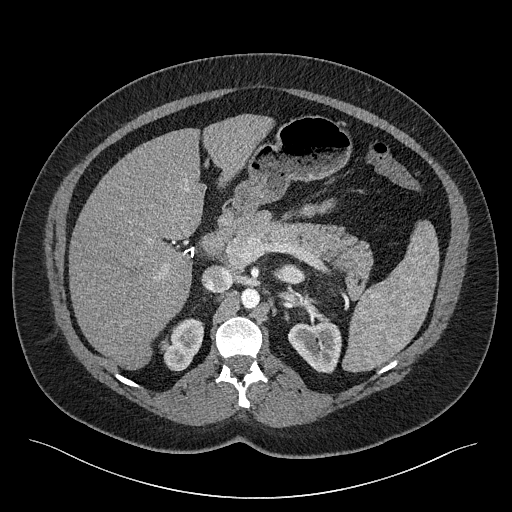
Axial slice 165 of 301 of a contrast-enhanced abdominal CT (slice 1 is the lowest), 120 kVp, kernel I40f; 2.00 mm slice thickness and 0.859 mm pixels.
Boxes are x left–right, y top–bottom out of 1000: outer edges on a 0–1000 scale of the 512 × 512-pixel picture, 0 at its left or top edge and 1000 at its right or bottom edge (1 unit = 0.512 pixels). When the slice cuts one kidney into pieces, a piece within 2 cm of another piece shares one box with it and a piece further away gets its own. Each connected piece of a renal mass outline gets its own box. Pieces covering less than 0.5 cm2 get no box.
Three kidney boxes on this slice; by box centre, from the image's left to its right: (1) Right kidney, box x 318–398, y 621–727 out of 1000 (outlined area 1,514 px, about 11.2 cm2). (2) Left kidney (one of two boxed parts) at x 539–598, y 514–557 out of 1000 (outlined area 479 px, about 3.5 cm2). (3) Left kidney (one of two boxed parts) at x 563–668, y 629–730 out of 1000 (outlined area 2,060 px, about 15.2 cm2). No renal mass outline on this slice.